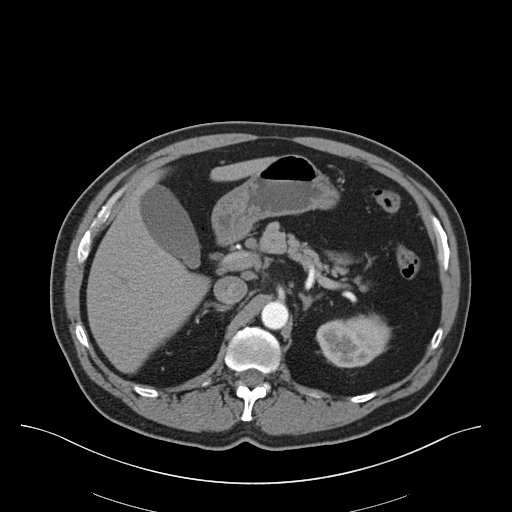
Axial slice 45 of 75 of a contrast-enhanced abdominal CT (slice 1 is the lowest), 140 kVp, kernel B30f; 3.00 mm slice thickness and 0.875 mm pixels.
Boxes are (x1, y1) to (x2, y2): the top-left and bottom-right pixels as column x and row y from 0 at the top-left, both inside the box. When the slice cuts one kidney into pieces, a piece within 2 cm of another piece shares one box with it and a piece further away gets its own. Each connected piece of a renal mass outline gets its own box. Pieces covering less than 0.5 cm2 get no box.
Left kidney, box (315, 313) to (391, 368) (outlined area 3,087 px, about 23.6 cm2). No renal mass is outlined on this slice.